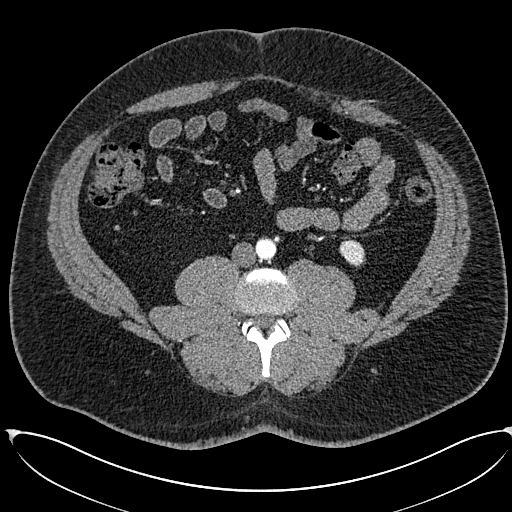
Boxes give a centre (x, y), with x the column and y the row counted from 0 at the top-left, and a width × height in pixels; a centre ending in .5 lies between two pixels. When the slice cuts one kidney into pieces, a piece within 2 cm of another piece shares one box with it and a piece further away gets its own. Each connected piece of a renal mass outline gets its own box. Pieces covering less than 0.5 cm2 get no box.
Arterial-phase contrast-enhanced abdominal CT, axial slice 222 of 673 (counted from the lowest slice); 1.00 mm thick, 0.855 mm per pixel. Left kidney in a box with centre (352, 252.5), 27 × 30 pixels (outlined area 554 px, about 4.1 cm2). No renal mass is outlined on this slice.
Scan settings: 120 kVp, I30f reconstruction kernel.